Arterial-phase contrast-enhanced abdominal CT, axial slice 399 of 1059 (counted from the lowest slice); tube voltage 100 kVp, convolution kernel I30f; slices 1.00 mm thick, 0.811 mm per pixel.
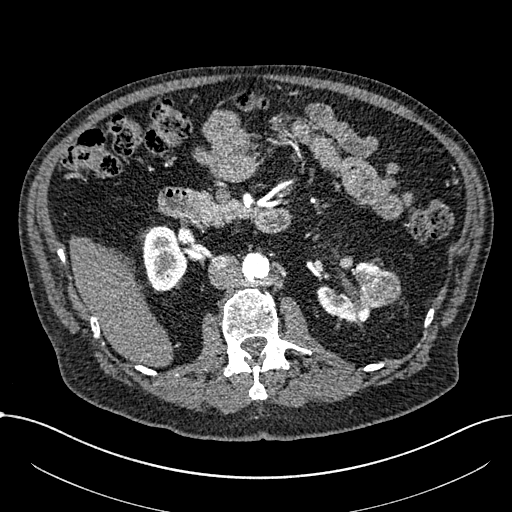
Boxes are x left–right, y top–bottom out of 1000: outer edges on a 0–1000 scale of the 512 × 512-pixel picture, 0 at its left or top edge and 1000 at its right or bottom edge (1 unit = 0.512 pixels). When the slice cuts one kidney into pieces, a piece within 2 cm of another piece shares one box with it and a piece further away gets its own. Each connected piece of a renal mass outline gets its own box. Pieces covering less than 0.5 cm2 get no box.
Two kidney boxes and one renal mass box on this slice; by box centre, from the image's left to its right: (1) Box x 277–369, y 441–570 out of 1000: right part of the midline-crossing kidney (outlined area 2,298 px, about 15.1 cm2). (2) Left part of the midline-crossing kidney, box x 619–752, y 510–629 out of 1000 (outlined area 2,004 px, about 13.2 cm2). (3) Renal mass at x 701–783, y 527–604 out of 1000 (outlined area 1,199 px, about 7.9 cm2).